Arterial-phase contrast-enhanced abdominal CT, axial slice 91 of 325 (counted from the lowest slice); tube voltage 100 kVp, convolution kernel I30f; slices 1.00 mm thick, 0.703 mm per pixel.
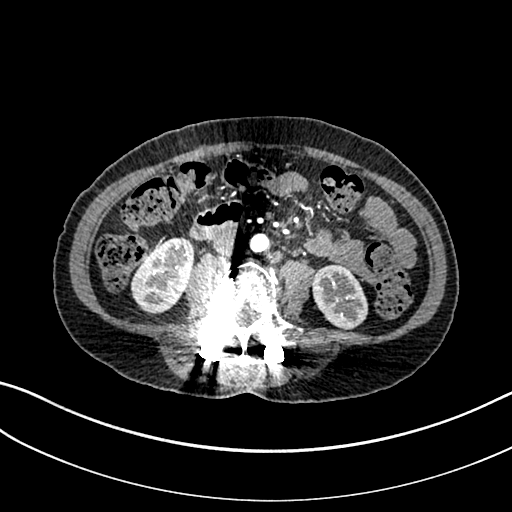
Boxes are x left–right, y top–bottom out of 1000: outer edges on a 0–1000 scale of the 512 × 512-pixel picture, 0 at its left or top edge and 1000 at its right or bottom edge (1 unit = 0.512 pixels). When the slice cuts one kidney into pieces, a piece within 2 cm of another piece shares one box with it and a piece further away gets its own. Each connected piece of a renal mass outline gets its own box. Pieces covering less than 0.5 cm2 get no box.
Two boxes on this slice (two kidney boxes), listed by box centre from the image's left to its right. (1) Right kidney at x 254–381, y 463–615 out of 1000 (outlined area 3,487 px, about 17.2 cm2). (2) Left kidney at x 609–719, y 516–645 out of 1000 (outlined area 2,750 px, about 13.6 cm2). This slice carries no renal mass outline.